One axial slice (250 of 532, counting up from the lowest) of an arterial-phase abdominal CT acquired with 120 kVp, kernel B30f; each pixel is 0.713 mm and the slice is 1.00 mm thick.
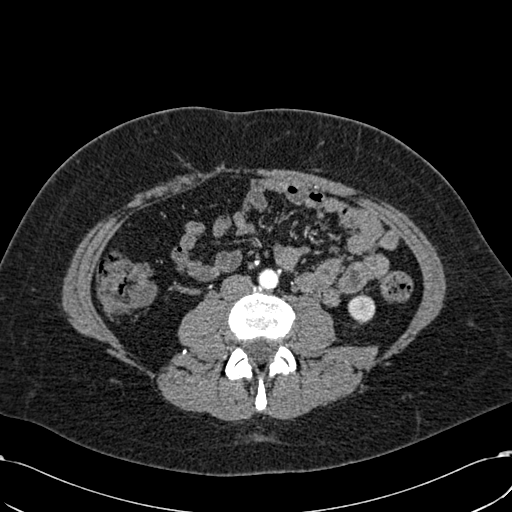
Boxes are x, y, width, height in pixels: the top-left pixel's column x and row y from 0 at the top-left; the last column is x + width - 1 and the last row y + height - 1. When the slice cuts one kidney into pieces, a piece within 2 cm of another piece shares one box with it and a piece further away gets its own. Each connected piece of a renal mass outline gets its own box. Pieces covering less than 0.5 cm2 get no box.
Left kidney at x 347, y 294, width 29, height 29 (outlined area 629 px, about 3.2 cm2).